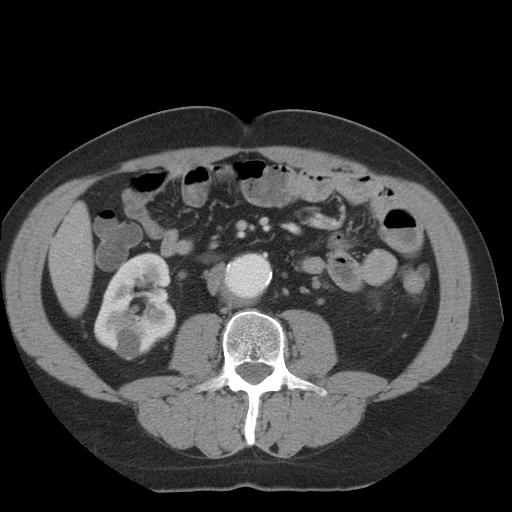
Arterial-phase contrast-enhanced abdominal CT, axial slice 6 of 36 (counted from the lowest slice); tube voltage 140 kVp, convolution kernel STANDARD; slices 5.00 mm thick, 0.703 mm per pixel.
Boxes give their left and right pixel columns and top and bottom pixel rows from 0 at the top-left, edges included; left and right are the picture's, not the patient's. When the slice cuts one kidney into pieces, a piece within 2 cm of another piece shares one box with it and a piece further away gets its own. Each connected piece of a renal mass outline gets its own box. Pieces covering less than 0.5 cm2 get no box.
Right kidney, the box with left 93, top 252, right 176, bottom 360 (outlined area 6,295 px, about 31.1 cm2). This slice carries no renal mass outline.